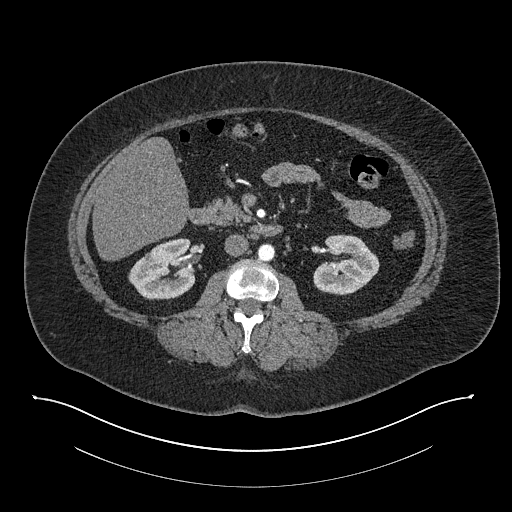
Axial slice 439 of 673 of a contrast-enhanced abdominal CT in the arterial phase (slice 1 is the lowest), 140 kVp, kernel I30f; 1.00 mm slice thickness and 0.957 mm pixels.
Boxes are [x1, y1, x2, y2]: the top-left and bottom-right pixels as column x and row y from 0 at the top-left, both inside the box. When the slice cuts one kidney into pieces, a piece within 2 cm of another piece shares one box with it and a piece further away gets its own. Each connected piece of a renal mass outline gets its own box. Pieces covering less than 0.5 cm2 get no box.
Two boxes on this slice (two kidney boxes), listed by box centre from the image's left to its right. (1) Right kidney, box [128, 238, 195, 299] (outlined area 3,095 px, about 28.3 cm2). (2) Left kidney, box [313, 234, 379, 295] (outlined area 2,939 px, about 26.9 cm2). No renal mass outline on this slice.